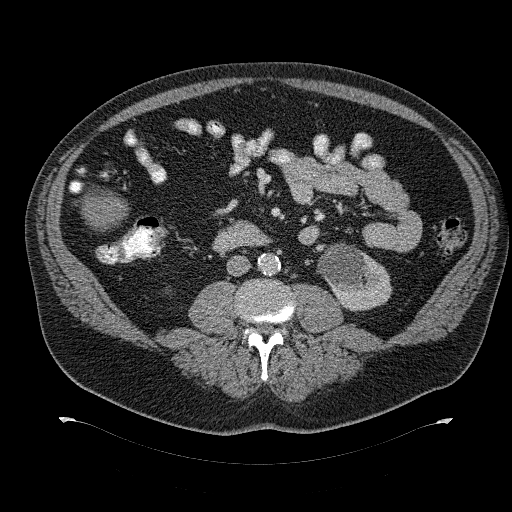
Abdominal CT with intravenous contrast, axial plane, 120 kVp, kernel B31f. Slice 158/274 from the bottom of the scan; thickness 2.00 mm; pixel size 0.977 mm.
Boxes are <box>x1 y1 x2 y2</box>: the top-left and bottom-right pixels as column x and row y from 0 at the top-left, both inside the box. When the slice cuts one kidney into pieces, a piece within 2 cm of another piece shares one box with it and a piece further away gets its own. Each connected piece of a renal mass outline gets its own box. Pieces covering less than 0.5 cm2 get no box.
Left kidney: <box>316 243 391 311</box> (outlined area 3,533 px, about 33.7 cm2). This slice carries no renal mass outline.